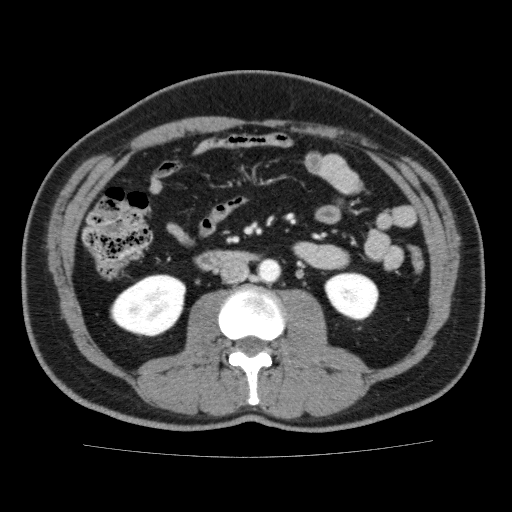
Abdominal CT with intravenous contrast, axial plane, 120 kVp, kernel FC13. Slice 90/159 from the bottom of the scan; thickness 3.00 mm; pixel size 0.668 mm.
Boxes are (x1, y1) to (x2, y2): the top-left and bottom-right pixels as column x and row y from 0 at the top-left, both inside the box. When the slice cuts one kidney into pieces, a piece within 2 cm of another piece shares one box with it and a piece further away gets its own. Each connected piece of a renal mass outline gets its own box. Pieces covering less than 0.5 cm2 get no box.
Two boxes on this slice (two kidney boxes), listed by box centre from the image's left to its right. (1) Right kidney, box (110, 274) to (186, 336) (outlined area 3,592 px, about 16.0 cm2). (2) Left kidney from (324, 272) to (379, 320) (outlined area 2,044 px, about 9.1 cm2). No renal mass is outlined on this slice.